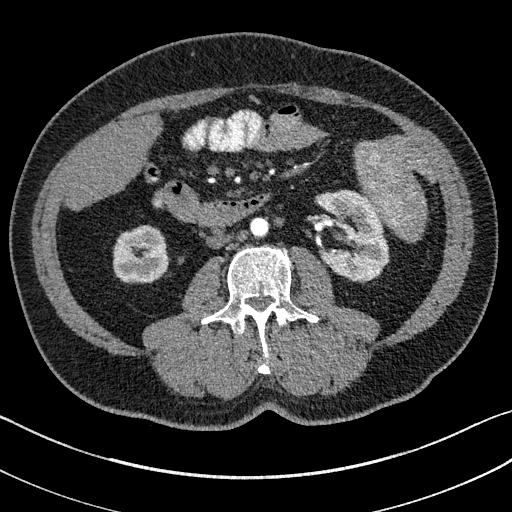
One axial slice (66 of 195, counting up from the lowest) of an arterial-phase abdominal CT acquired with 100 kVp, kernel I31f; each pixel is 0.707 mm and the slice is 1.50 mm thick.
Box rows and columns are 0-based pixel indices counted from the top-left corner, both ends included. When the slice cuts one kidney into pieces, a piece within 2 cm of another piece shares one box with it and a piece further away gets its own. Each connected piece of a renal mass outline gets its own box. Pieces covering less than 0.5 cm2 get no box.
Boxed on this slice (two kidney boxes), listed by box centre from the image's left to its right: (1) Right kidney at rows 225–282, columns 113–168 (outlined area 2,633 px, about 13.2 cm2). (2) Box rows 190–282, columns 315–389: left kidney (outlined area 4,807 px, about 24.0 cm2). No renal mass outline on this slice.